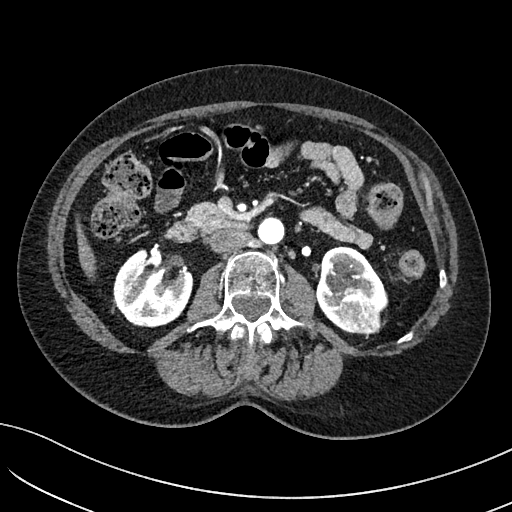
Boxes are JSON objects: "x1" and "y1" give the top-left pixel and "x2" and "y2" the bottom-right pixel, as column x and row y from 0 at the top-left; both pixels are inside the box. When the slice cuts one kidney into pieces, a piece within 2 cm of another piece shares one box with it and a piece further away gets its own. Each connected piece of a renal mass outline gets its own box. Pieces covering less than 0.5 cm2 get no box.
Slice 51/234 of a contrast-enhanced abdominal CT in the arterial phase, counting up from the lowest; pixel size 0.699 mm, slice thickness 2.00 mm. Three boxes on this slice (two kidney boxes and one renal mass box), listed by box centre from the image's left to its right. (1) Right kidney, box {"x1": 113, "y1": 249, "x2": 193, "y2": 327} (outlined area 4,622 px, about 22.6 cm2). (2) Left kidney at {"x1": 315, "y1": 246, "x2": 388, "y2": 324} (outlined area 3,171 px, about 15.5 cm2). (3) Left renal mass at {"x1": 335, "y1": 291, "x2": 383, "y2": 334} (outlined area 1,614 px, about 7.9 cm2).
Acquired at 100 kVp and reconstructed with the I40f kernel.